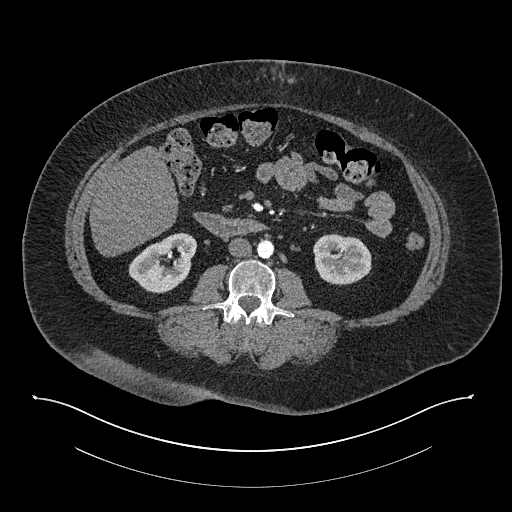
Abdominal CT with intravenous contrast, arterial phase, axial plane, 140 kVp, kernel I30f. Slice 399/673 from the bottom of the scan; thickness 1.00 mm; pixel size 0.957 mm.
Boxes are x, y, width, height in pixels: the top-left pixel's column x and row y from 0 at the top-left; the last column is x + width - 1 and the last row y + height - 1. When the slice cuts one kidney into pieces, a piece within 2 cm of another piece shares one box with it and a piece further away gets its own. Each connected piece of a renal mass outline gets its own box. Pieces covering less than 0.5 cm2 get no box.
Boxed on this slice (two kidney boxes), listed by box centre from the image's left to its right: (1) Box x 128, y 232, width 70, height 62: right kidney (outlined area 2,761 px, about 25.3 cm2). (2) Left kidney at x 313, y 233, width 59, height 53 (outlined area 2,436 px, about 22.3 cm2). This slice carries no renal mass outline.